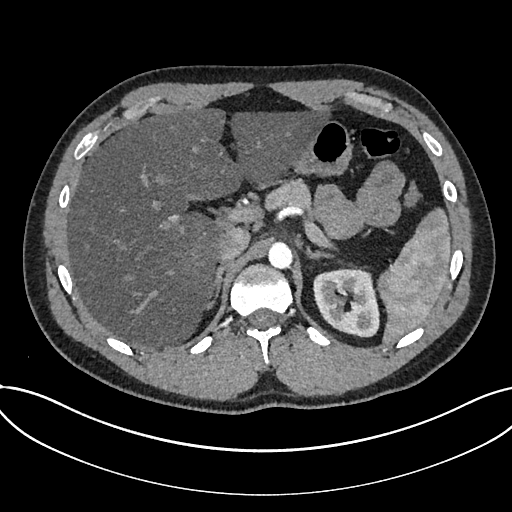
Abdominal CT with intravenous contrast, arterial phase, axial plane, 120 kVp, kernel I30f. Slice 537/735 from the bottom of the scan; thickness 1.00 mm; pixel size 0.789 mm.
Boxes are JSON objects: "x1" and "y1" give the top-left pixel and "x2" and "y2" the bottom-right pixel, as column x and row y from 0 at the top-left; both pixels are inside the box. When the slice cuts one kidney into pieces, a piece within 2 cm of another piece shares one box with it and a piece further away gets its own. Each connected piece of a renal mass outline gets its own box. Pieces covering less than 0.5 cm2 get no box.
Kidney, box {"x1": 313, "y1": 267, "x2": 379, "y2": 337} (outlined area 3,632 px, about 22.6 cm2). No renal mass outline on this slice.